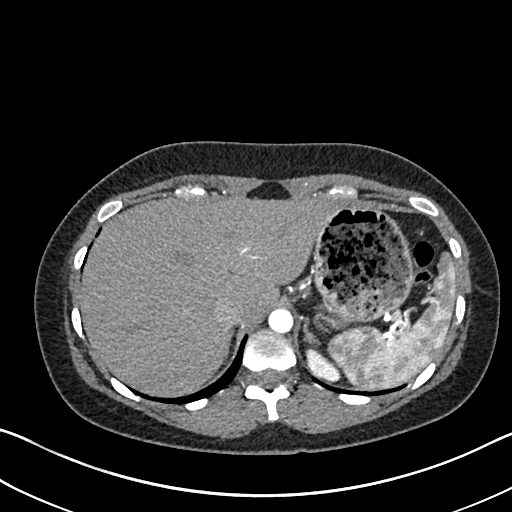
One axial slice (555 of 612, counting up from the lowest) of an arterial-phase abdominal CT acquired with 120 kVp, kernel I30f; each pixel is 0.703 mm and the slice is 1.00 mm thick.
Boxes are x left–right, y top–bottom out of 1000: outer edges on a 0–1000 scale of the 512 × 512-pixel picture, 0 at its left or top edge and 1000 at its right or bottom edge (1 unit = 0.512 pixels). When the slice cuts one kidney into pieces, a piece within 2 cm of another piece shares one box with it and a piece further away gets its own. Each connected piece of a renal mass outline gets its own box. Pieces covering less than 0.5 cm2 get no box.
Box x 596–668, y 676–744 out of 1000: left kidney (outlined area 717 px, about 3.5 cm2). No renal mass outline on this slice.